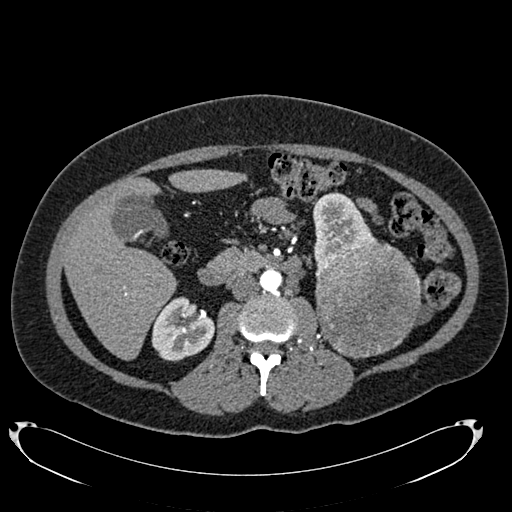
Arterial-phase contrast-enhanced abdominal CT, axial slice 408 of 634 (counted from the lowest slice); tube voltage 120 kVp, convolution kernel B20f; slices 1.00 mm thick, 0.838 mm per pixel.
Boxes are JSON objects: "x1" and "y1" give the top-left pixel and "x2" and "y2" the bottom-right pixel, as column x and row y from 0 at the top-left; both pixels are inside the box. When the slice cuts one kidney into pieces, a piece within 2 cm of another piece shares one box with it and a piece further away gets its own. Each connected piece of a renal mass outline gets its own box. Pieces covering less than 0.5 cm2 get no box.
Boxed on this slice (two kidney boxes and one renal mass box), listed by box centre from the image's left to its right: (1) Right kidney, box {"x1": 151, "y1": 296, "x2": 215, "y2": 361} (outlined area 2,997 px, about 21.0 cm2). (2) Box {"x1": 313, "y1": 191, "x2": 376, "y2": 268}: left kidney (outlined area 2,816 px, about 19.8 cm2). (3) Left renal mass at {"x1": 315, "y1": 239, "x2": 420, "y2": 359} (outlined area 9,947 px, about 69.8 cm2).